Arterial-phase contrast-enhanced abdominal CT, axial slice 531 of 673 (counted from the lowest slice); tube voltage 140 kVp, convolution kernel I30f; slices 1.00 mm thick, 0.957 mm per pixel.
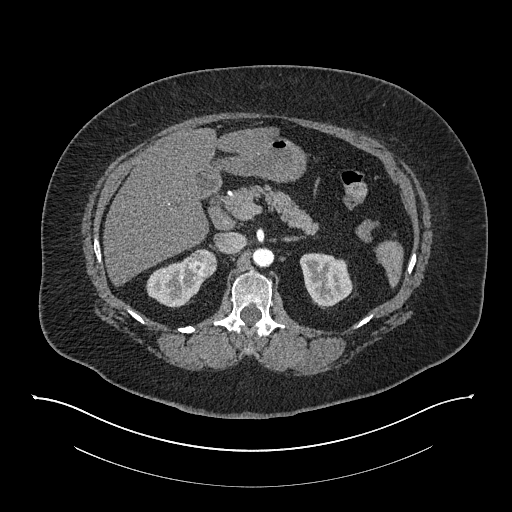
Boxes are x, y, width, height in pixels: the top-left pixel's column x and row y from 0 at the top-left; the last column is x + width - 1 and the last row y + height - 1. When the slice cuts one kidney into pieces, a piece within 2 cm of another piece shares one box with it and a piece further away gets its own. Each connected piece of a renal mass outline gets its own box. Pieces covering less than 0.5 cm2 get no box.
Two kidney boxes and one renal mass box on this slice; by box centre, from the image's left to its right: (1) Right kidney, box x 146, y 256, width 62, height 52 (outlined area 1,889 px, about 17.3 cm2). (2) Right renal mass, box x 188, y 249, width 30, height 29 (outlined area 673 px, about 6.2 cm2). (3) Left kidney, box x 299, y 253, width 54, height 57 (outlined area 2,206 px, about 20.2 cm2).